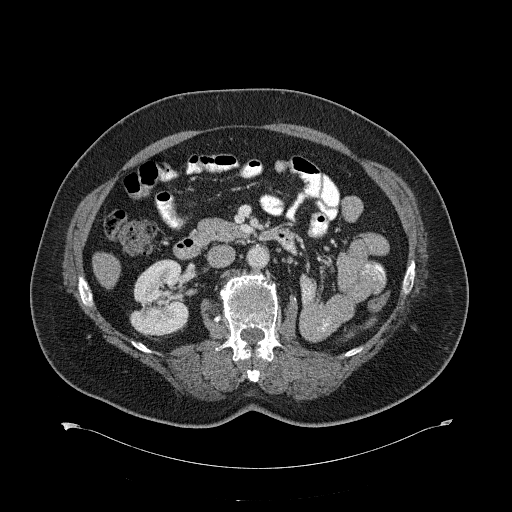
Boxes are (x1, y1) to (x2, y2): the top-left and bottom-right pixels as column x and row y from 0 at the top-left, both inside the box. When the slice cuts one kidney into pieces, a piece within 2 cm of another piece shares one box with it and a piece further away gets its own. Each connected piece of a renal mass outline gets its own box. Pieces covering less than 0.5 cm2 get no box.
Slice 360/734 of a contrast-enhanced abdominal CT, counting up from the lowest; pixel size 0.971 mm, slice thickness 2.00 mm. Right kidney, box (129, 259) to (188, 336) (outlined area 3,439 px, about 32.4 cm2). No renal mass outline on this slice.
Acquired at 120 kVp and reconstructed with the B31f kernel.